Abdominal CT with intravenous contrast, arterial phase, axial plane, 120 kVp, kernel I30f. Slice 276/683 from the bottom of the scan; thickness 1.00 mm; pixel size 0.738 mm.
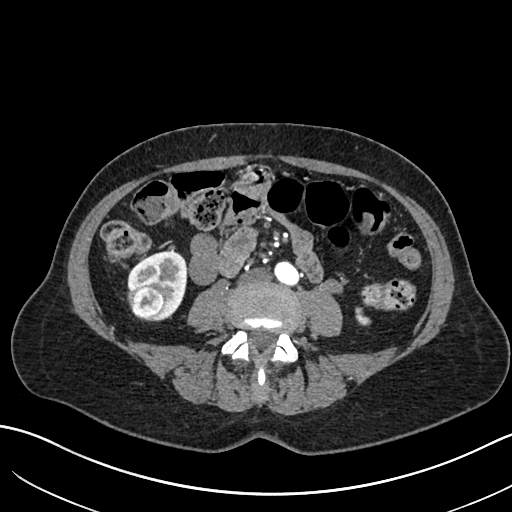
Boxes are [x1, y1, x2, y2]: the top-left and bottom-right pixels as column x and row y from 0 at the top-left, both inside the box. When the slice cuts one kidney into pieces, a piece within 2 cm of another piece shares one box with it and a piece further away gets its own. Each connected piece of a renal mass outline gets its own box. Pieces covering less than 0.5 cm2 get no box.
Two kidney boxes and one renal mass box on this slice; by box centre, from the image's left to its right: (1) Right renal mass, box [127, 283, 167, 321] (outlined area 1,204 px, about 6.6 cm2). (2) Box [127, 250, 187, 321]: right kidney (outlined area 2,275 px, about 12.4 cm2). (3) Box [355, 307, 371, 325]: left kidney (outlined area 200 px, about 1.1 cm2).